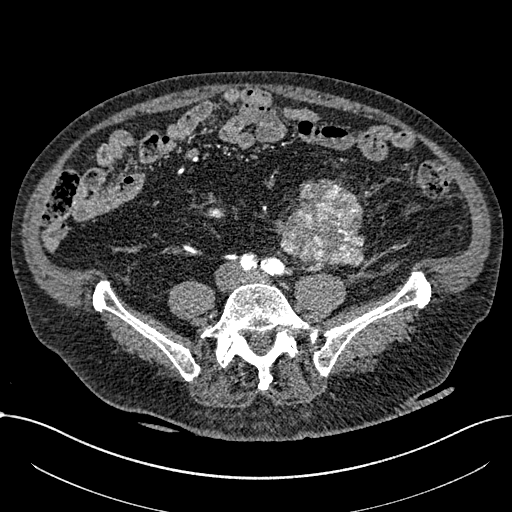
One axial slice (194 of 1059, counting up from the lowest) of an arterial-phase abdominal CT acquired with 100 kVp, kernel I30f; each pixel is 0.811 mm and the slice is 1.00 mm thick.
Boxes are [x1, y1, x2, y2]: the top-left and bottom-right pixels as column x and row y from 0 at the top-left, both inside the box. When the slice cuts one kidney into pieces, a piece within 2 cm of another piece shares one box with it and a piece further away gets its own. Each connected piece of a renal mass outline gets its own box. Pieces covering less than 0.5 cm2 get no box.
Boxed on this slice (one kidney box and one renal mass box), listed by box centre from the image's left to its right: (1) Right part of the midline-crossing kidney at [208, 208, 224, 218] (outlined area 159 px, about 1.0 cm2). (2) Renal mass at [274, 179, 364, 266] (outlined area 5,780 px, about 38.0 cm2); here it is more than 1 cm from any kidney outline, though on another slice the same outlined renal mass lies within 1 cm of the kidney.